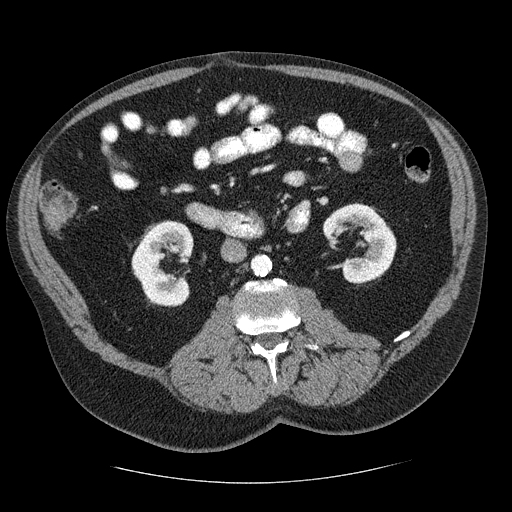
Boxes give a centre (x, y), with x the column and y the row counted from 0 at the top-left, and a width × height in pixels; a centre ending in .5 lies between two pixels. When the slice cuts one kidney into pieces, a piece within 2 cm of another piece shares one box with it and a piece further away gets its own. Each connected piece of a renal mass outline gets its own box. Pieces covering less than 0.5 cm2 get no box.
Slice 121/206 of a contrast-enhanced abdominal CT, counting up from the lowest; pixel size 0.879 mm, slice thickness 2.50 mm. Boxed on this slice (two kidney boxes), listed by box centre from the image's left to its right: (1) Box centre (162.5, 263.5), 64 × 88 pixels: right kidney (outlined area 3,945 px, about 30.5 cm2). (2) Left kidney in a box with centre (359, 243), 75 × 83 pixels (outlined area 3,786 px, about 29.2 cm2). No renal mass is outlined on this slice.
Scan settings: 120 kVp, STANDARD reconstruction kernel.